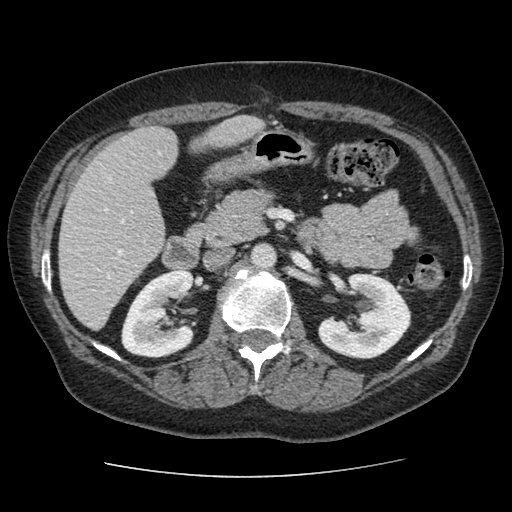
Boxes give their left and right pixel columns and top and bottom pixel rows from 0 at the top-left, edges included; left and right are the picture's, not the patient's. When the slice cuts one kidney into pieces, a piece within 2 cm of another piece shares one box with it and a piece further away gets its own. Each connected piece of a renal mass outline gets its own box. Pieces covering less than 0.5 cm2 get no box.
Slice 51/96 of a contrast-enhanced abdominal CT in the arterial phase, counting up from the lowest; pixel size 0.689 mm, slice thickness 2.50 mm. Boxed on this slice (two kidney boxes), listed by box centre from the image's left to its right: (1) Right kidney, the box with left 121, top 269, right 194, bottom 358 (outlined area 5,002 px, about 23.8 cm2). (2) Left kidney, the box with left 318, top 273, right 411, bottom 358 (outlined area 5,293 px, about 25.2 cm2). No renal mass is outlined on this slice.
Scan settings: 120 kVp, STANDARD reconstruction kernel.